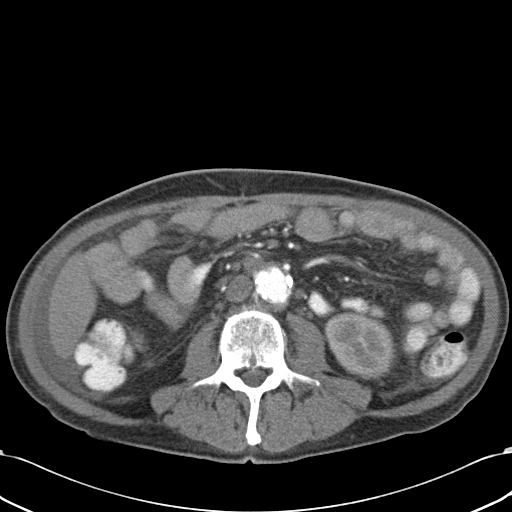
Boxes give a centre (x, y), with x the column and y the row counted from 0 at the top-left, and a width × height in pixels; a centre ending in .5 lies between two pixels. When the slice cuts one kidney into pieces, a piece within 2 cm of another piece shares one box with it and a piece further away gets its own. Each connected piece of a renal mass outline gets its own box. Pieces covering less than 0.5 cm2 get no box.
Slice 5/43 of a contrast-enhanced abdominal CT, counting up from the lowest; pixel size 0.701 mm, slice thickness 5.00 mm. Left kidney, box centre (359.5, 346), 70 × 67 pixels (outlined area 3,578 px, about 17.6 cm2). No renal mass outline on this slice.
Tube voltage 120 kVp; convolution kernel B31f.